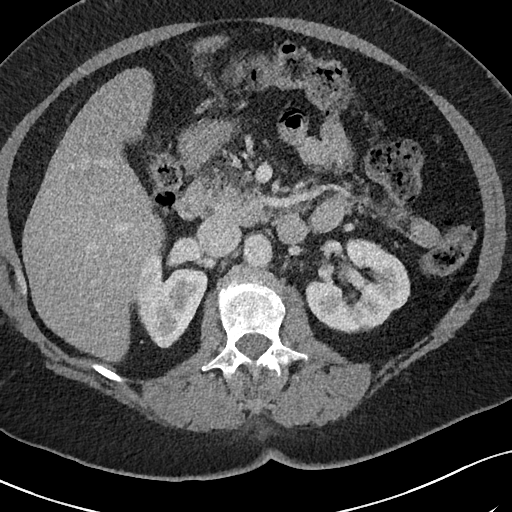
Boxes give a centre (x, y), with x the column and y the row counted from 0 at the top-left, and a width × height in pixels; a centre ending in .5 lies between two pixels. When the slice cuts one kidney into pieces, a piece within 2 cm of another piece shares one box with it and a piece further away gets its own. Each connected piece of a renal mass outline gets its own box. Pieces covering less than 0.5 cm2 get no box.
Arterial-phase contrast-enhanced abdominal CT, axial slice 47 of 69 (counted from the lowest slice); 3.00 mm thick, 0.664 mm per pixel. Two kidney boxes on this slice; by box centre, from the image's left to its right: (1) Box centre (172.5, 301.5), 70 × 94 pixels: right kidney (outlined area 4,333 px, about 19.1 cm2). (2) Left kidney, box centre (357.5, 285.5), 106 × 96 pixels (outlined area 6,770 px, about 29.9 cm2). No renal mass outline on this slice.
Acquired at 120 kVp and reconstructed with the I40f kernel.